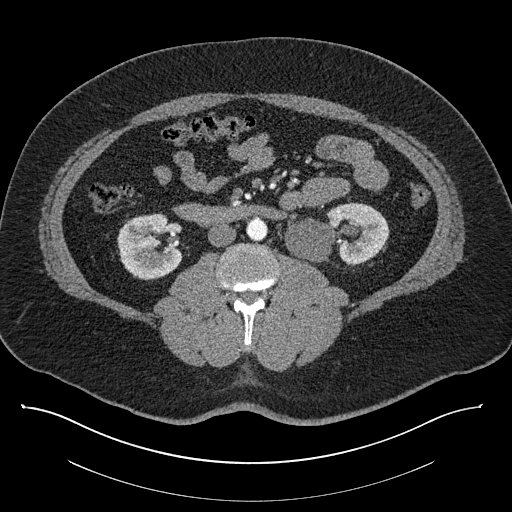
Contrast-enhanced abdominal CT, axial slice 436 of 787 (counted from the lowest slice); tube voltage 140 kVp, convolution kernel I30f; slices 1.00 mm thick, 0.910 mm per pixel.
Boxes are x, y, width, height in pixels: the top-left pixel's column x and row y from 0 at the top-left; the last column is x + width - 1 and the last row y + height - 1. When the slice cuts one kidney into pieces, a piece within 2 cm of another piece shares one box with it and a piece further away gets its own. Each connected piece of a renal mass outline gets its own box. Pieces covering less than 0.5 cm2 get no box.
Two boxes on this slice (two kidney boxes), listed by box centre from the image's left to its right. (1) Right kidney at x 117, y 213, width 66, height 68 (outlined area 3,320 px, about 27.5 cm2). (2) Left kidney, box x 284, y 202, width 106, height 63 (outlined area 4,612 px, about 38.2 cm2). No renal mass is outlined on this slice.